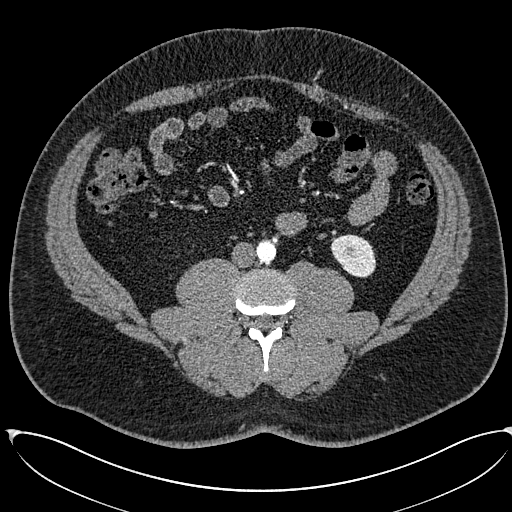
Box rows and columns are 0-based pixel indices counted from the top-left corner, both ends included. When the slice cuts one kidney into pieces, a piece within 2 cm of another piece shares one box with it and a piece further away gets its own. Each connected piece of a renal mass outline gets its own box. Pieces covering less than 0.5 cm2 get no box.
Arterial-phase contrast-enhanced abdominal CT, axial slice 235 of 673 (counted from the lowest slice); 1.00 mm thick, 0.855 mm per pixel. Left kidney at rows 234–277, columns 330–376 (outlined area 1,487 px, about 10.9 cm2). No renal mass is outlined on this slice.
Scan settings: 120 kVp, I30f reconstruction kernel.